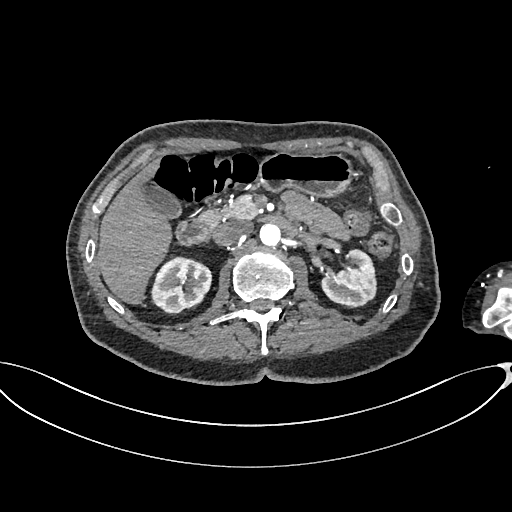
One axial slice (421 of 665, counting up from the lowest) of an arterial-phase abdominal CT acquired with 100 kVp, kernel I26f; each pixel is 0.828 mm and the slice is 1.00 mm thick.
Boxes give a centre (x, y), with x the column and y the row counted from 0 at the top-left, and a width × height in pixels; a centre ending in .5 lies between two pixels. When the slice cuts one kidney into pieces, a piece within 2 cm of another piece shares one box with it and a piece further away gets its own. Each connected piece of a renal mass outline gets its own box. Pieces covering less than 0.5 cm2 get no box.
Boxed on this slice (two kidney boxes), listed by box centre from the image's left to its right: (1) Right kidney, box centre (181, 285), 63 × 59 pixels (outlined area 2,687 px, about 18.4 cm2). (2) Left kidney, box centre (348, 278.5), 57 × 60 pixels (outlined area 2,355 px, about 16.2 cm2). This slice carries no renal mass outline.